Abdominal CT with intravenous contrast, arterial phase, axial plane, 120 kVp, kernel I30f. Slice 218/541 from the bottom of the scan; thickness 1.00 mm; pixel size 0.834 mm.
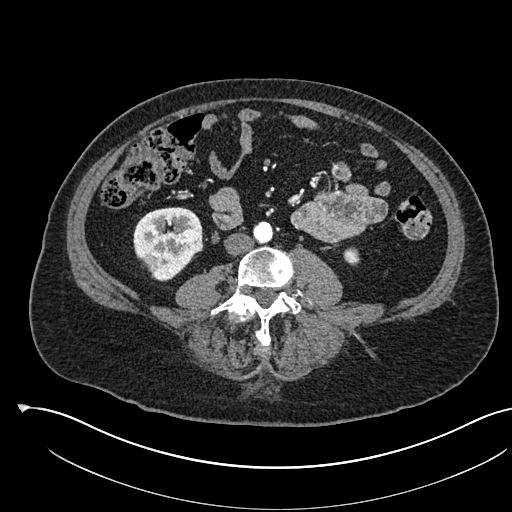
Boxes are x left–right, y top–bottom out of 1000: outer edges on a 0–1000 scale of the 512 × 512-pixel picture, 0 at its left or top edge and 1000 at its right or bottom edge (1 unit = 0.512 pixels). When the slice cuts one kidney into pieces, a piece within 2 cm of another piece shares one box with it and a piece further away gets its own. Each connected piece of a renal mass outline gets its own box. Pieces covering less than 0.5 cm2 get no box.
Three boxes on this slice (two kidney boxes and one renal mass box), listed by box centre from the image's left to its right. (1) Right kidney, box x 260–395, y 404–551 out of 1000 (outlined area 3,475 px, about 24.2 cm2). (2) Right renal mass at x 350–396, y 447–496 out of 1000 (outlined area 466 px, about 3.2 cm2). (3) Box x 670–703, y 482–520 out of 1000: left kidney (outlined area 240 px, about 1.7 cm2).